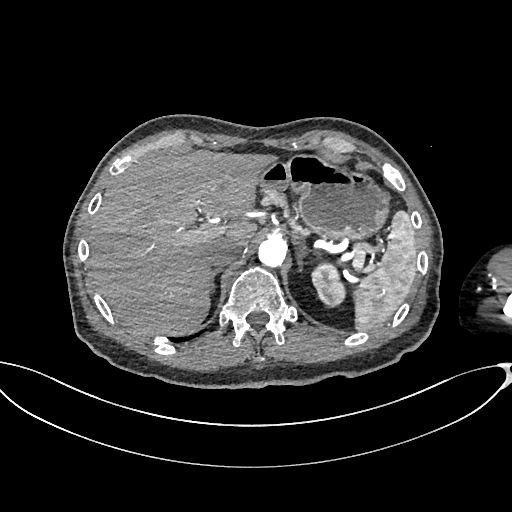
Abdominal CT with intravenous contrast, arterial phase, axial plane, 100 kVp, kernel I26f. Slice 511/665 from the bottom of the scan; thickness 1.00 mm; pixel size 0.828 mm.
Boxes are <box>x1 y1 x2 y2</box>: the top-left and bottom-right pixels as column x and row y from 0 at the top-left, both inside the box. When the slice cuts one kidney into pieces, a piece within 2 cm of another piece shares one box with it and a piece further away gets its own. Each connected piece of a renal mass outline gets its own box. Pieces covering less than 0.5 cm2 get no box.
Left kidney: <box>311 260 346 307</box> (outlined area 1,174 px, about 8.1 cm2). No renal mass is outlined on this slice.